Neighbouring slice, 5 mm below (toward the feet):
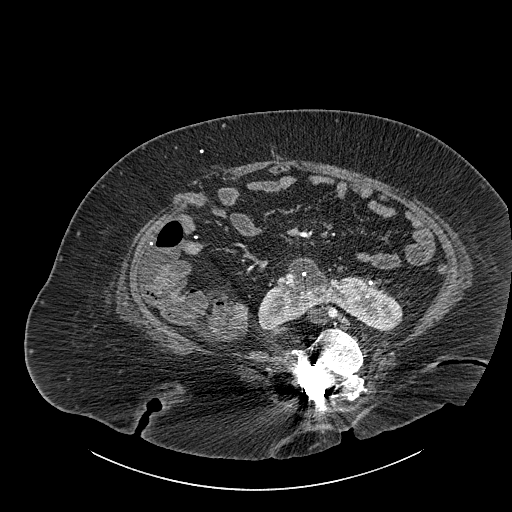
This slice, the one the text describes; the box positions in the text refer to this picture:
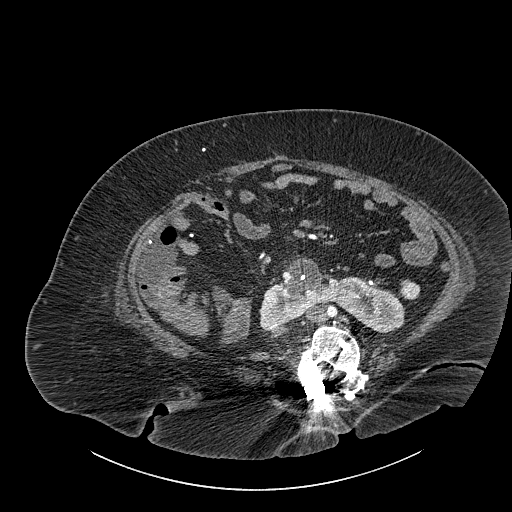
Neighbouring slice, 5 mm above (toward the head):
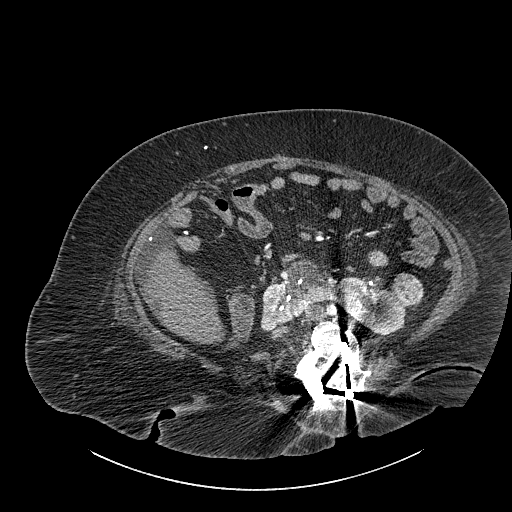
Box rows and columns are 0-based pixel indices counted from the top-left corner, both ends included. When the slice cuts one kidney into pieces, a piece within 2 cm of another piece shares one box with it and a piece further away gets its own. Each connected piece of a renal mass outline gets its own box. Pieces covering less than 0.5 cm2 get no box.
Contrast-enhanced abdominal CT, axial slice 476 of 834 (counted from the lowest slice); 1.00 mm thick, 0.977 mm per pixel. Two boxes on this slice (one kidney box and one renal mass box), listed by box centre from the image's left to its right. (1) Box rows 257–333, columns 259–405: kidney crossing the body midline (outlined area 5,785 px, about 55.2 cm2). (2) Renal mass at rows 279–299, columns 398–420 (outlined area 356 px, about 3.4 cm2). This slice lies near the end of a renal mass toward the feet; the slices 5 mm below and 5 mm above it are shown too, and the boxes mark positions on this slice only.
Acquired at 140 kVp and reconstructed with the I30f kernel.